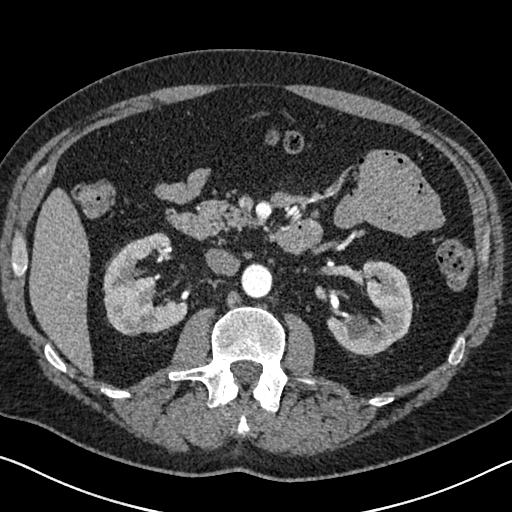
Axial slice 394 of 626 of a contrast-enhanced abdominal CT in the arterial phase (slice 1 is the lowest), 120 kVp, kernel I30f; 1.00 mm slice thickness and 0.703 mm pixels.
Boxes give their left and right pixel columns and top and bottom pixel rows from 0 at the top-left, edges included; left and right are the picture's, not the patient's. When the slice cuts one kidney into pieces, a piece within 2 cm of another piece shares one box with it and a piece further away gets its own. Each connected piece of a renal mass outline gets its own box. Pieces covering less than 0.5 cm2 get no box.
Two kidney boxes on this slice; by box centre, from the image's left to its right: (1) Right kidney, the box with left 102, top 232, right 188, bottom 335 (outlined area 5,611 px, about 27.7 cm2). (2) Left kidney in the box with left 326, top 260, right 412, bottom 355 (outlined area 5,030 px, about 24.9 cm2). No renal mass outline on this slice.